Contrast-enhanced abdominal CT, axial slice 615 of 834 (counted from the lowest slice); tube voltage 140 kVp, convolution kernel I30f; slices 1.00 mm thick, 0.977 mm per pixel.
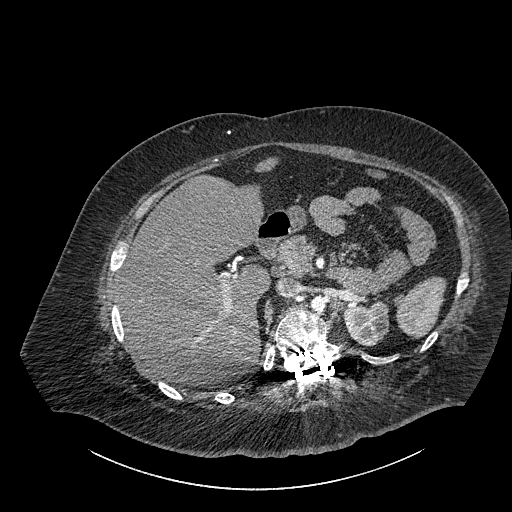
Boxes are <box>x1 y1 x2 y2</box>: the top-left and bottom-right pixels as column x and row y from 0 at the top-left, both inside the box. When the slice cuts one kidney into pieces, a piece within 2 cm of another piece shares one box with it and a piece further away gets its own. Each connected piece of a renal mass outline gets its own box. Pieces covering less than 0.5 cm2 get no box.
Left part of the midline-crossing kidney: <box>343 300 389 346</box> (outlined area 1,587 px, about 15.1 cm2). This slice carries no renal mass outline.